Contrast-enhanced abdominal CT, axial slice 23 of 90 (counted from the lowest slice); tube voltage 120 kVp, convolution kernel B31f; slices 5.00 mm thick, 0.707 mm per pixel.
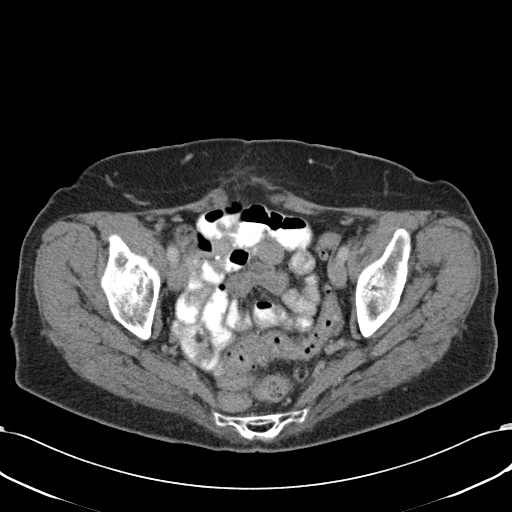
Neither a kidney nor a renal mass is outlined here. Only kidneys and renal masses are outlined anywhere in this scan; other structures are never outlined.